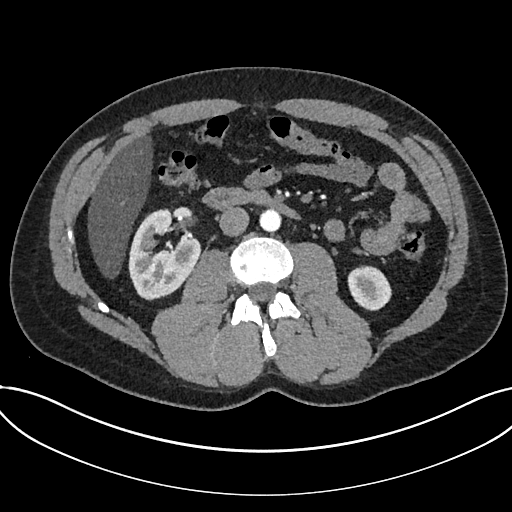
Abdominal CT with intravenous contrast, arterial phase, axial plane, 120 kVp, kernel I30f. Slice 375/735 from the bottom of the scan; thickness 1.00 mm; pixel size 0.789 mm.
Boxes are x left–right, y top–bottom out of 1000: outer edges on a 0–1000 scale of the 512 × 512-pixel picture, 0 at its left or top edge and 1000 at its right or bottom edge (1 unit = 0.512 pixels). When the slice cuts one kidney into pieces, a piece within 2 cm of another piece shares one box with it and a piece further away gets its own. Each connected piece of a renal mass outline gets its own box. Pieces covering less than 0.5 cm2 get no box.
Two boxes on this slice (two kidney boxes), listed by box centre from the image's left to its right. (1) Kidney at x 250–393, y 406–588 out of 1000 (outlined area 4,497 px, about 28.0 cm2). (2) Box x 678–766, y 518–607 out of 1000: kidney (outlined area 1,535 px, about 9.6 cm2). This slice carries no renal mass outline.